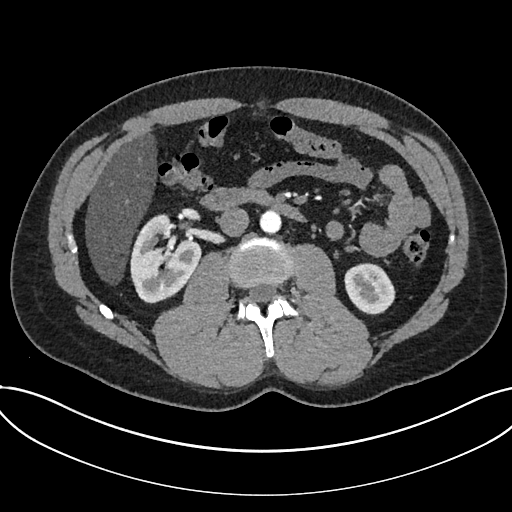
Abdominal CT with intravenous contrast, arterial phase, axial plane, 120 kVp, kernel I30f. Slice 383/735 from the bottom of the scan; thickness 1.00 mm; pixel size 0.789 mm.
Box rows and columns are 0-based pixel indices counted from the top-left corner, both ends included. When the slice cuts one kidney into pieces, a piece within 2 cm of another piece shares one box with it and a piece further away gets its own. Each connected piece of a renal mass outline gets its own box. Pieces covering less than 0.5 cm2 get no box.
Two kidney boxes on this slice; by box centre, from the image's left to its right: (1) Kidney, box rows 213–303, columns 130–200 (outlined area 4,362 px, about 27.2 cm2). (2) Kidney, box rows 263–314, columns 344–395 (outlined area 2,035 px, about 12.7 cm2). No renal mass outline on this slice.